Contrast-enhanced abdominal CT, axial slice 147 of 301 (counted from the lowest slice); tube voltage 120 kVp, convolution kernel I40f; slices 2.00 mm thick, 0.859 mm per pixel.
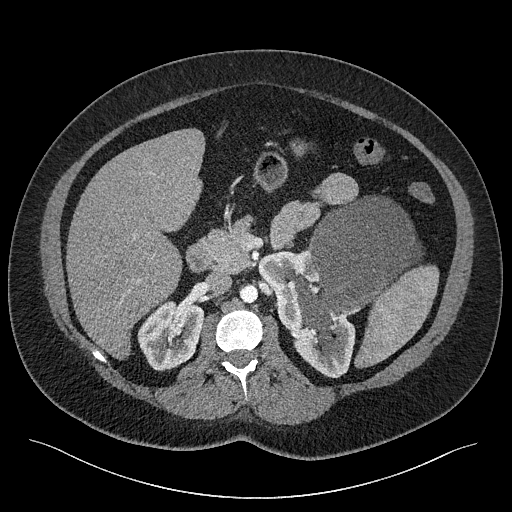
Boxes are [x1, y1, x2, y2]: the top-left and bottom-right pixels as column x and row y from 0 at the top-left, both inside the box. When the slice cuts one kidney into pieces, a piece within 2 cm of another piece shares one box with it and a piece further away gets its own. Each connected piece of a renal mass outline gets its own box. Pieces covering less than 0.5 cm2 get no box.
Boxed on this slice (two kidney boxes and one renal mass box), listed by box centre from the image's left to its right: (1) Right kidney at [137, 299, 204, 371] (outlined area 3,522 px, about 26.0 cm2). (2) Left kidney, box [258, 248, 355, 378] (outlined area 5,046 px, about 37.3 cm2). (3) Left renal mass at [288, 196, 423, 337] (outlined area 10,808 px, about 79.8 cm2).